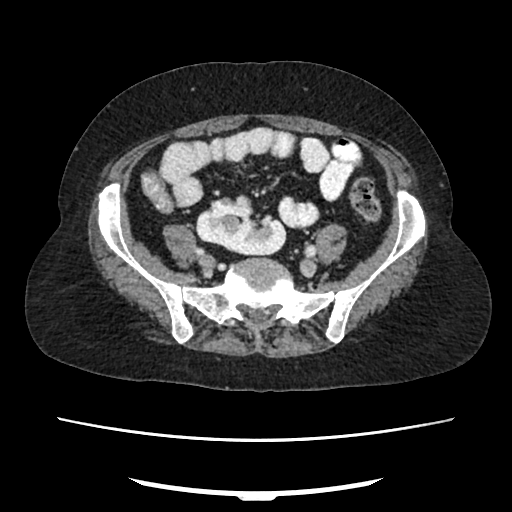
One axial slice (78 of 207, counting up from the lowest) of an arterial-phase abdominal CT acquired with 120 kVp, kernel FC18; each pixel is 0.741 mm and the slice is 2.00 mm thick.
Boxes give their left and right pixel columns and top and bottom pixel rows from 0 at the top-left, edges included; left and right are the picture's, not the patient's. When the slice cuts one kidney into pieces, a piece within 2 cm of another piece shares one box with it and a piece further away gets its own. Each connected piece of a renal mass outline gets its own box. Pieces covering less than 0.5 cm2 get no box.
Right kidney, the box with left 196, top 195, right 286, bottom 255 (outlined area 3,801 px, about 20.9 cm2). This slice carries no renal mass outline.